Abdominal CT with intravenous contrast, arterial phase, axial plane, 120 kVp, kernel I30f. Slice 78/261 from the bottom of the scan; thickness 2.00 mm; pixel size 0.939 mm.
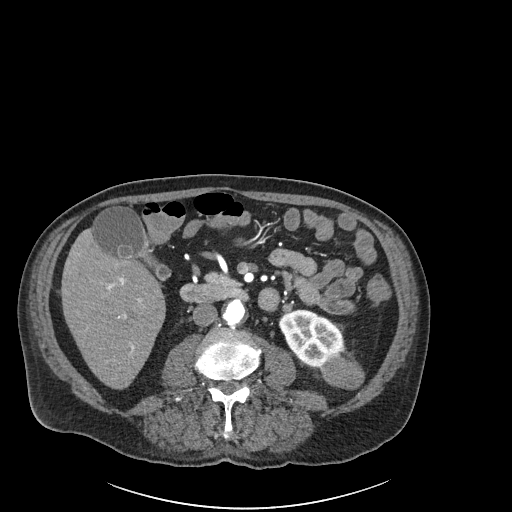
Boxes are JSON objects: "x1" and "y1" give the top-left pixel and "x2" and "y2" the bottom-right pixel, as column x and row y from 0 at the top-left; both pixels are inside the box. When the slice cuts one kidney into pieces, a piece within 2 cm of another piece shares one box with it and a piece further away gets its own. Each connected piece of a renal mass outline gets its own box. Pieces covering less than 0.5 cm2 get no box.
One kidney box and one renal mass box on this slice; by box centre, from the image's left to its right: (1) Box {"x1": 278, "y1": 309, "x2": 343, "y2": 367}: left kidney (outlined area 2,593 px, about 22.9 cm2). (2) Left renal mass at {"x1": 319, "y1": 352, "x2": 364, "y2": 389} (outlined area 1,226 px, about 10.8 cm2).